One axial slice (186 of 433, counting up from the lowest) of a contrast-enhanced abdominal CT acquired with 120 kVp, kernel B30f; each pixel is 0.672 mm and the slice is 1.00 mm thick.
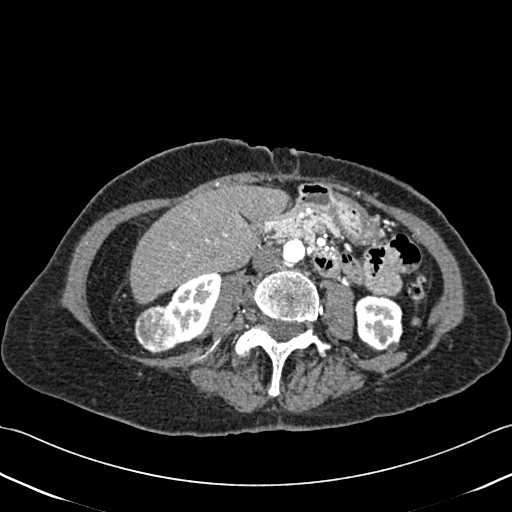
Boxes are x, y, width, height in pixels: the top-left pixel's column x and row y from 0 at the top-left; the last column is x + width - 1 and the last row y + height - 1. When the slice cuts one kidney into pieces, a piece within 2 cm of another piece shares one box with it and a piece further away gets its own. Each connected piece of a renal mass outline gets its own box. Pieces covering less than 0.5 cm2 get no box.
Three boxes on this slice (two kidney boxes and one renal mass box), listed by box centre from the image's left to its right. (1) Right renal mass, box x 134, y 305, width 46, height 50 (outlined area 1,694 px, about 7.6 cm2). (2) Right kidney, box x 164, y 273, width 58, height 73 (outlined area 2,466 px, about 11.1 cm2). (3) Left kidney, box x 354, y 295, width 49, height 57 (outlined area 2,240 px, about 10.1 cm2).